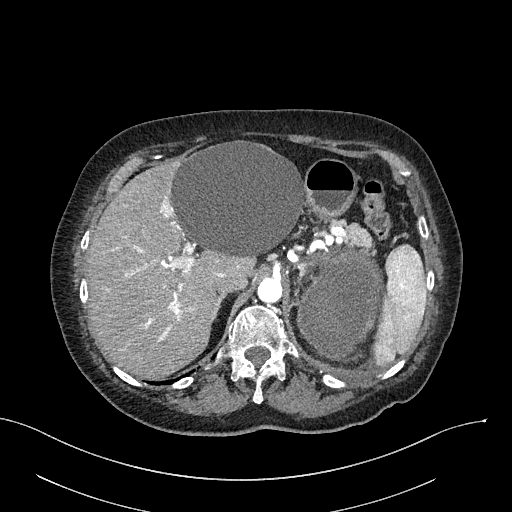
One axial slice (203 of 316, counting up from the lowest) of an arterial-phase abdominal CT acquired with 100 kVp, kernel I40f; each pixel is 0.840 mm and the slice is 2.00 mm thick.
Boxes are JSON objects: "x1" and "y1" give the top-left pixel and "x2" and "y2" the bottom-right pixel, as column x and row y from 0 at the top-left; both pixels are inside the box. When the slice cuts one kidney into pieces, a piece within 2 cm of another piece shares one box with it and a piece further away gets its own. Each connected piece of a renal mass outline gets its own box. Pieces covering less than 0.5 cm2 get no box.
Box {"x1": 297, "y1": 250, "x2": 381, "y2": 360}: left renal mass (outlined area 6,974 px, about 49.2 cm2); no kidney is outlined on this slice, but the same outlined renal mass comes within 1 cm of the kidney on another slice.